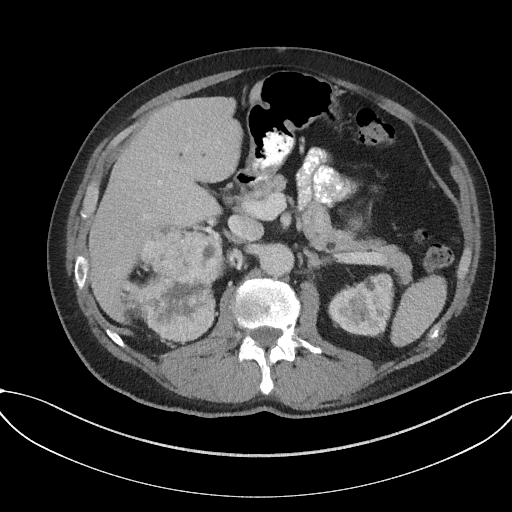
Axial slice 104 of 227 of a contrast-enhanced abdominal CT in the arterial phase (slice 1 is the lowest), 120 kVp, kernel I31f; 3.00 mm slice thickness and 0.816 mm pixels.
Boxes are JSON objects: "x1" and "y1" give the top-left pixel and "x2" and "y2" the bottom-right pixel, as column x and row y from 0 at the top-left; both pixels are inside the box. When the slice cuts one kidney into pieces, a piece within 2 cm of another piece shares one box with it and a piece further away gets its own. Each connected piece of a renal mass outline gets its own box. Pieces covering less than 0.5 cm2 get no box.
Two boxes on this slice (one kidney box and one renal mass box), listed by box centre from the image's left to its right. (1) Box {"x1": 127, "y1": 229, "x2": 227, "y2": 341}: right renal mass (outlined area 8,078 px, about 53.8 cm2); here it is more than 1 cm from any kidney outline, though on another slice the same outlined renal mass lies within 1 cm of the kidney. (2) Left kidney, box {"x1": 328, "y1": 272, "x2": 394, "y2": 336} (outlined area 3,066 px, about 20.4 cm2).